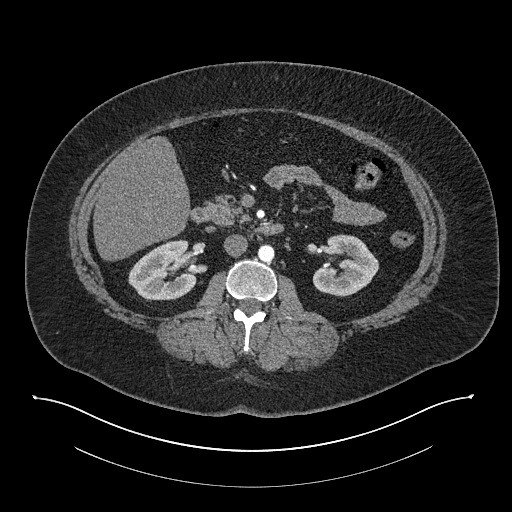
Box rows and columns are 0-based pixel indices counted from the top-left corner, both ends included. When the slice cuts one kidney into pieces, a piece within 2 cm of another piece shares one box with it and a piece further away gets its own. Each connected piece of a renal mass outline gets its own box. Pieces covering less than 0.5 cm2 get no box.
Slice 446/673 of a contrast-enhanced abdominal CT in the arterial phase, counting up from the lowest; pixel size 0.957 mm, slice thickness 1.00 mm. Two kidney boxes on this slice; by box centre, from the image's left to its right: (1) Box rows 239–300, columns 128–196: right kidney (outlined area 3,076 px, about 28.2 cm2). (2) Left kidney, box rows 234–296, columns 312–378 (outlined area 2,885 px, about 26.4 cm2). No renal mass is outlined on this slice.
Tube voltage 140 kVp; convolution kernel I30f.